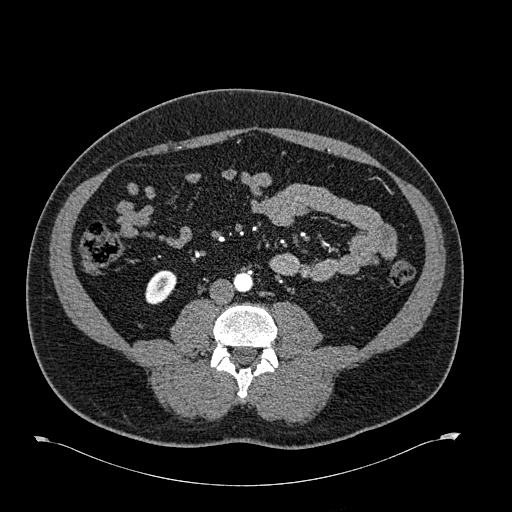
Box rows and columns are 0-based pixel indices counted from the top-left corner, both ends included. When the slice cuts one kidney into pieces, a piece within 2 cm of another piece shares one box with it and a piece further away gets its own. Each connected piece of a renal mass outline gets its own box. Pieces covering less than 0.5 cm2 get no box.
This is axial slice 259 of 723 (slice 1 is the lowest) of an arterial-phase abdominal CT with contrast; each pixel is 0.895 mm and the slice is 1.00 mm thick. Right kidney at rows 270–304, columns 145–176 (outlined area 809 px, about 6.5 cm2). This slice carries no renal mass outline.
Acquired at 120 kVp and reconstructed with the B30f kernel.